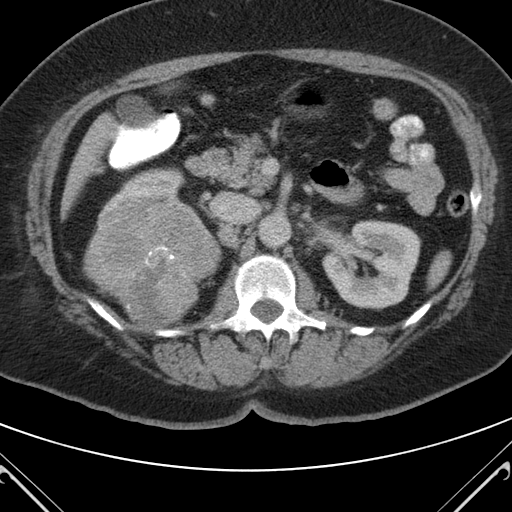
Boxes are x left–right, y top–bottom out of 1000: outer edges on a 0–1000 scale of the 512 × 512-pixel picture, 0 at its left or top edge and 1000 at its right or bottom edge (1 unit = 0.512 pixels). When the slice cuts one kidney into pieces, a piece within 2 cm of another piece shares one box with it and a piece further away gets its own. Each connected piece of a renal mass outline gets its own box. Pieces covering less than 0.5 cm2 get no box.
Slice 66/98 of a contrast-enhanced abdominal CT in the arterial phase, counting up from the lowest; pixel size 0.703 mm, slice thickness 5.00 mm. Two kidney boxes and one renal mass box on this slice; by box centre, from the image's left to its right: (1) Box x 230–363, y 326–381 out of 1000: right kidney (outlined area 994 px, about 4.9 cm2). (2) Right renal mass at x 160–436, y 361–643 out of 1000 (outlined area 13,837 px, about 68.4 cm2). (3) Left kidney at x 629–824, y 428–607 out of 1000 (outlined area 6,581 px, about 32.5 cm2).
Scan settings: 120 kVp, B reconstruction kernel.